One axial slice (118 of 197, counting up from the lowest) of a contrast-enhanced abdominal CT acquired with 120 kVp, kernel I30f; each pixel is 0.791 mm and the slice is 5.00 mm thick.
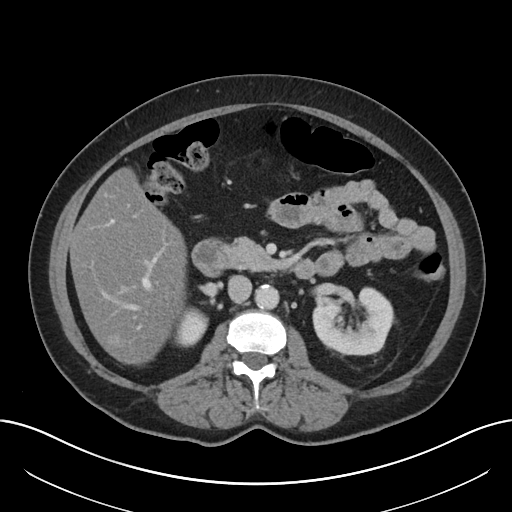
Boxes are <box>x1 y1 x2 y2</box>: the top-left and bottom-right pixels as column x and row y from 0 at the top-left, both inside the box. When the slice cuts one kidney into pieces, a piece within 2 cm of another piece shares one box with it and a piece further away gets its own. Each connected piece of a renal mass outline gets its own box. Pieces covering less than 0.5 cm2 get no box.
Two boxes on this slice (two kidney boxes), listed by box centre from the image's left to its right. (1) At <box>174 307 208 347</box>: right kidney (outlined area 888 px, about 5.6 cm2). (2) Left kidney: <box>312 286 396 357</box> (outlined area 4,169 px, about 26.1 cm2). This slice carries no renal mass outline.